Arterial-phase contrast-enhanced abdominal CT, axial slice 524 of 738 (counted from the lowest slice); tube voltage 120 kVp, convolution kernel I30f; slices 1.00 mm thick, 0.789 mm per pixel.
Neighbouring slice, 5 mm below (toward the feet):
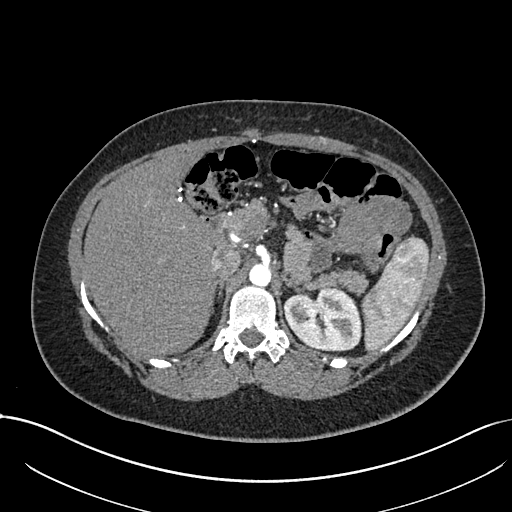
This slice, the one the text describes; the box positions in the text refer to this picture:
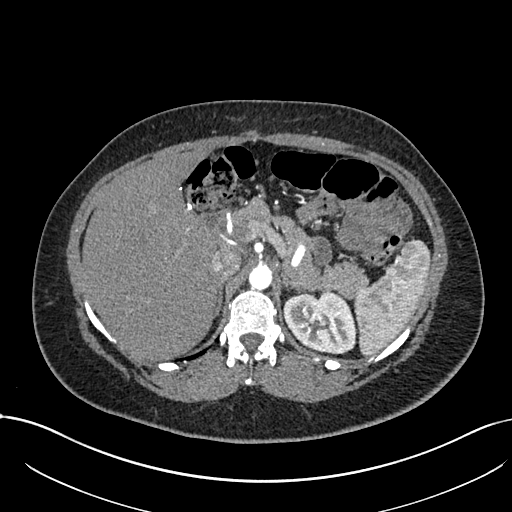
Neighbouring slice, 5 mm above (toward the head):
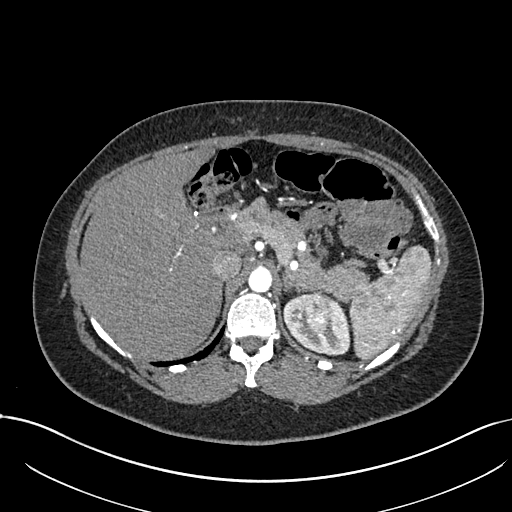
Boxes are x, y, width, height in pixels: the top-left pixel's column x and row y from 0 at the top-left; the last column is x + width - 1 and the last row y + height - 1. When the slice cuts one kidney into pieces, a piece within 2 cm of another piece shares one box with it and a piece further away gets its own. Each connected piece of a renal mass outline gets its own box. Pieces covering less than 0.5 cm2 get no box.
One kidney box and one renal mass box on this slice; by box centre, from the image's left to its right: (1) Left renal mass, box x 308, y 301, width 18, height 18 (outlined area 235 px, about 1.5 cm2). (2) Left kidney at x 282, y 291, width 74, height 64 (outlined area 3,397 px, about 21.2 cm2). This slice is near the end of the left renal mass toward the feet, so the slices 5 mm below and 5 mm above it are shown as well; the boxes refer to this slice only.